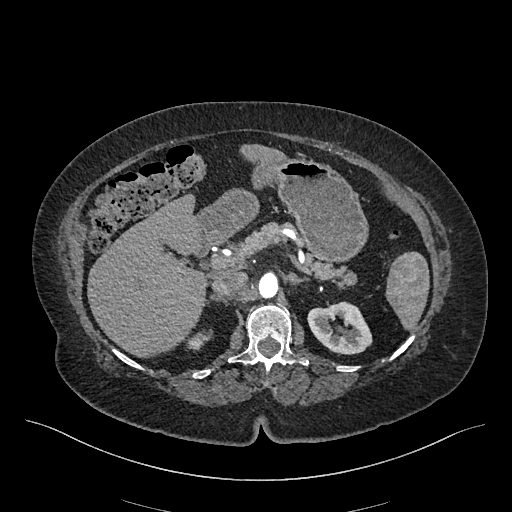
One axial slice (317 of 548, counting up from the lowest) of an arterial-phase abdominal CT acquired with 120 kVp, kernel I26f; each pixel is 0.852 mm and the slice is 1.00 mm thick.
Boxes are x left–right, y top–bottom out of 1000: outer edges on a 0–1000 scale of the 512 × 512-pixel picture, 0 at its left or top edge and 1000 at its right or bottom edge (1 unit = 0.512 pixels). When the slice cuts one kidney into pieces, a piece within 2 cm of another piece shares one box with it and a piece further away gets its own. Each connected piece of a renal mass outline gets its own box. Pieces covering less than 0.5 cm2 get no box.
Two boxes on this slice (two kidney boxes), listed by box centre from the image's left to its right. (1) Right kidney, box x 365–416, y 645–686 out of 1000 (outlined area 321 px, about 2.3 cm2). (2) Left kidney, box x 600–729, y 588–693 out of 1000 (outlined area 2,447 px, about 17.7 cm2). This slice carries no renal mass outline.